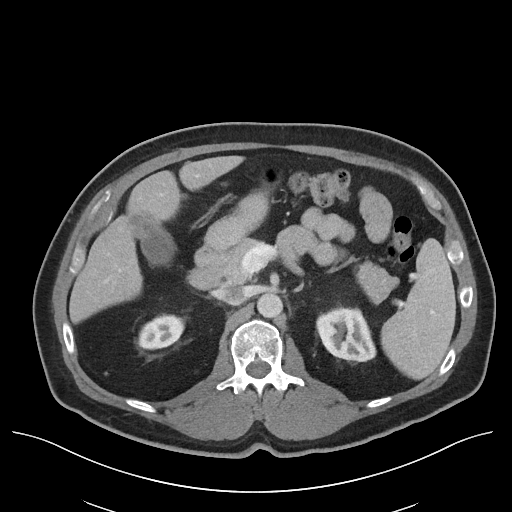
Axial slice 72 of 96 of a contrast-enhanced abdominal CT in the arterial phase (slice 1 is the lowest), 120 kVp, kernel I40f; 5.00 mm slice thickness and 0.840 mm pixels.
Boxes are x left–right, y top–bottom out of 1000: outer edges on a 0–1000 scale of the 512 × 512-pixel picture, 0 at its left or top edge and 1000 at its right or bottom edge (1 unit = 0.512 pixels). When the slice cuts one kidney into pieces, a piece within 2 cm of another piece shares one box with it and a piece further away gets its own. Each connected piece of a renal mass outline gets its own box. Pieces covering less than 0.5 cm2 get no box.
Two kidney boxes on this slice; by box centre, from the image's left to its right: (1) Right kidney at x 270–361, y 613–684 out of 1000 (outlined area 1,247 px, about 8.8 cm2). (2) Box x 617–734, y 598–707 out of 1000: left kidney (outlined area 2,483 px, about 17.5 cm2). No renal mass is outlined on this slice.